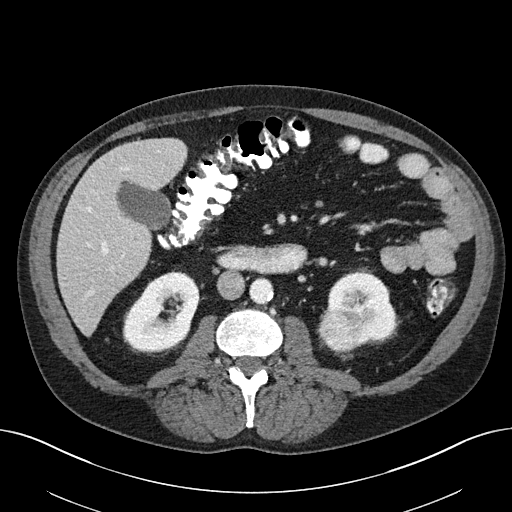
Abdominal CT with intravenous contrast, axial plane, 100 kVp, kernel I40f. Slice 102/163 from the bottom of the scan; thickness 3.00 mm; pixel size 0.799 mm.
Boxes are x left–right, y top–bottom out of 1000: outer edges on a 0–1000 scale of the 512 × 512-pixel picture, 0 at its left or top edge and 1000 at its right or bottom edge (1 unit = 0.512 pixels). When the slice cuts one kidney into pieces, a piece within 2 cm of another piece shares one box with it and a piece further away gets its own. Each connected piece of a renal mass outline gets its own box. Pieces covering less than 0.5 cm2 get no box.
Boxed on this slice (two kidney boxes and one renal mass box), listed by box centre from the image's left to its right: (1) Right kidney, box x 240–391, y 529–689 out of 1000 (outlined area 4,435 px, about 28.3 cm2). (2) Left renal mass at x 621–713, y 602–693 out of 1000 (outlined area 1,722 px, about 11.0 cm2). (3) Left kidney, box x 637–779, y 525–676 out of 1000 (outlined area 3,051 px, about 19.5 cm2).